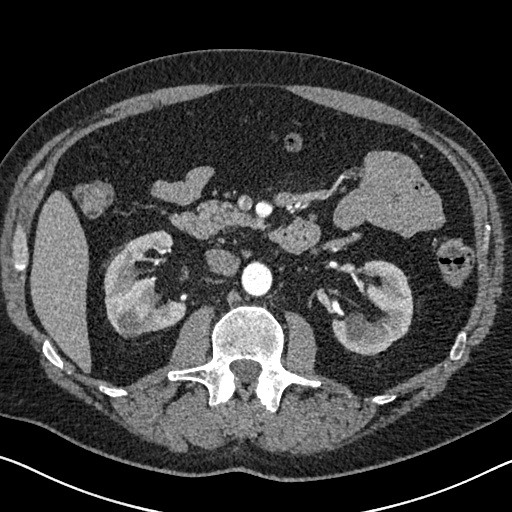
Axial slice 389 of 626 of a contrast-enhanced abdominal CT in the arterial phase (slice 1 is the lowest), 120 kVp, kernel I30f; 1.00 mm slice thickness and 0.703 mm pixels.
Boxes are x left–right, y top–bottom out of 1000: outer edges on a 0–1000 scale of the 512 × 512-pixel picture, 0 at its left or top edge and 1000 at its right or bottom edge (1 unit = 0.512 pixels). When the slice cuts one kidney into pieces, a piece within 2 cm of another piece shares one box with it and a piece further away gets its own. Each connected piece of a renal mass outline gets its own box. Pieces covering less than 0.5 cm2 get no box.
Boxed on this slice (two kidney boxes), listed by box centre from the image's left to its right: (1) Right kidney at x 201–365, y 449–662 out of 1000 (outlined area 5,603 px, about 27.7 cm2). (2) Box x 646–809, y 508–693 out of 1000: left kidney (outlined area 4,780 px, about 23.6 cm2). No renal mass is outlined on this slice.